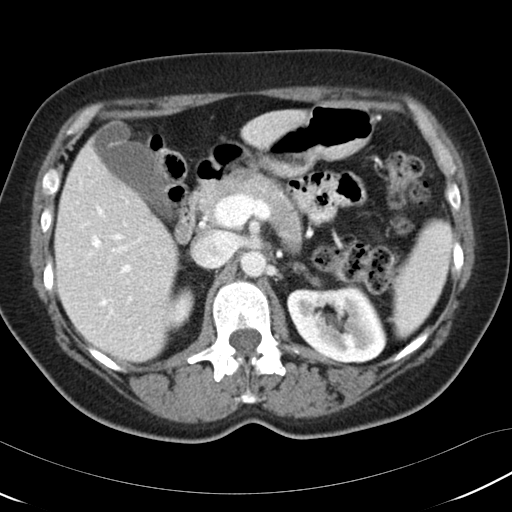
Axial slice 71 of 97 of a contrast-enhanced abdominal CT (slice 1 is the lowest), 120 kVp, kernel B30f; 5.00 mm slice thickness and 0.664 mm pixels.
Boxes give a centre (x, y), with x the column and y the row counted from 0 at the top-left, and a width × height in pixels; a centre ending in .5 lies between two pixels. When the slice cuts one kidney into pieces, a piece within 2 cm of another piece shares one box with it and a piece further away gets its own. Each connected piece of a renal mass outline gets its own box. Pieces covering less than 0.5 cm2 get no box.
Two boxes on this slice (two kidney boxes), listed by box centre from the image's left to its right. (1) Box centre (177.5, 309), 34 × 47 pixels: right kidney (outlined area 1,000 px, about 4.4 cm2). (2) Left kidney in a box with centre (336, 325), 101 × 79 pixels (outlined area 5,811 px, about 25.6 cm2). No renal mass outline on this slice.